One axial slice (57 of 110, counting up from the lowest) of an arterial-phase abdominal CT acquired with 130 kVp, kernel B30s; each pixel is 0.836 mm and the slice is 5.00 mm thick.
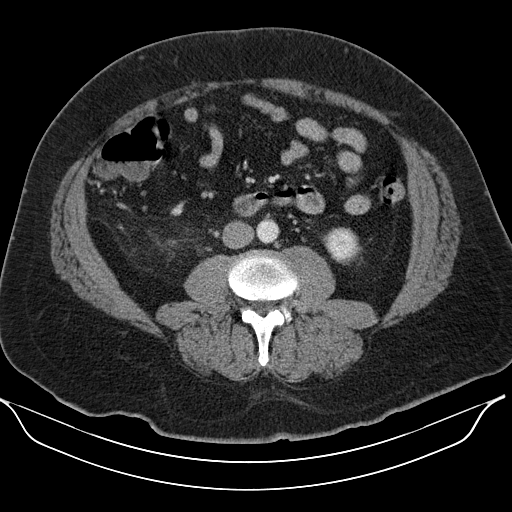
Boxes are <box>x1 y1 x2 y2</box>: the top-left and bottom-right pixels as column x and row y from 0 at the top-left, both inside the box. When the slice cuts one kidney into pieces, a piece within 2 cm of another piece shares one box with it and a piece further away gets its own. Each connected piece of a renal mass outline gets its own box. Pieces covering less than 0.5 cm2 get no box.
Left kidney: <box>322 227 361 264</box> (outlined area 1,050 px, about 7.3 cm2). No renal mass is outlined on this slice.